One axial slice (30 of 66, counting up from the lowest) of an arterial-phase abdominal CT acquired with 120 kVp, kernel B30f; each pixel is 0.678 mm and the slice is 5.00 mm thick.
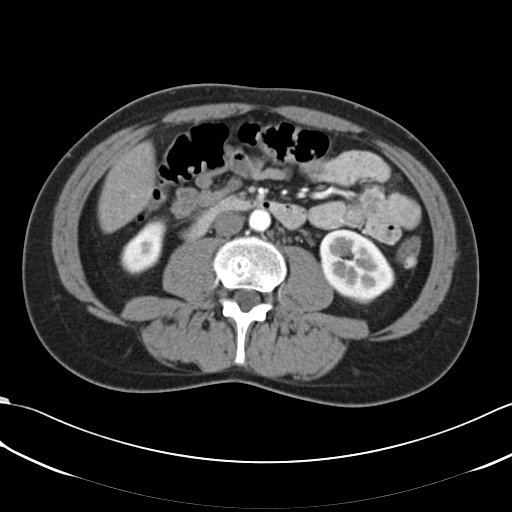
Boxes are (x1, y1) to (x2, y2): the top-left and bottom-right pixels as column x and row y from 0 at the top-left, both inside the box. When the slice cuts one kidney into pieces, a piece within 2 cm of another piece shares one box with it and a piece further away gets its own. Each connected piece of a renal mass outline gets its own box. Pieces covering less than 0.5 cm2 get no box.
Two boxes on this slice (two kidney boxes), listed by box centre from the image's left to its right. (1) Right kidney, box (120, 221) to (166, 274) (outlined area 1,652 px, about 7.6 cm2). (2) Left kidney, box (319, 230) to (395, 304) (outlined area 3,931 px, about 18.1 cm2). This slice carries no renal mass outline.